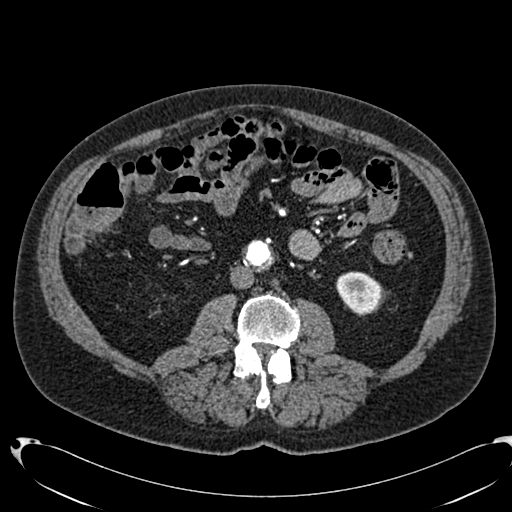
Abdominal CT with intravenous contrast, arterial phase, axial plane, 120 kVp, kernel B20f. Slice 326/553 from the bottom of the scan; thickness 1.00 mm; pixel size 0.773 mm.
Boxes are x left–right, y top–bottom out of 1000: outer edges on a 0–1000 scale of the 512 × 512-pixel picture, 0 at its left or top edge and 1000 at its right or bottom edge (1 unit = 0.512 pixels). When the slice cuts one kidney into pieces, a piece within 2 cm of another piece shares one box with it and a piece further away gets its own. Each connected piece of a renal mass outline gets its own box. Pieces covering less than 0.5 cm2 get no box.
Left kidney at x 654–746, y 529–615 out of 1000 (outlined area 1,524 px, about 9.1 cm2). No renal mass is outlined on this slice.